Contrast-enhanced abdominal CT, axial slice 19 of 51 (counted from the lowest slice); tube voltage 120 kVp, convolution kernel B31f; slices 5.00 mm thick, 0.865 mm per pixel.
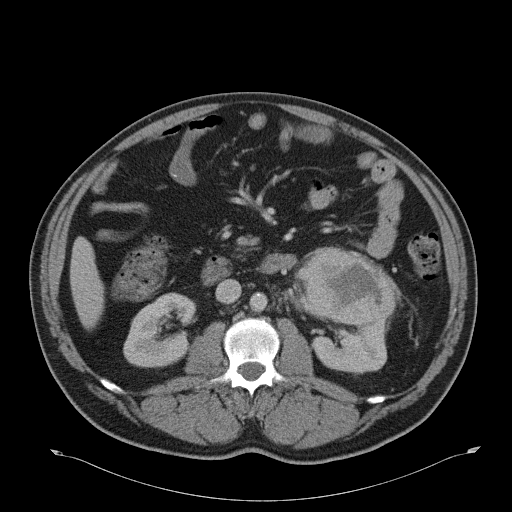
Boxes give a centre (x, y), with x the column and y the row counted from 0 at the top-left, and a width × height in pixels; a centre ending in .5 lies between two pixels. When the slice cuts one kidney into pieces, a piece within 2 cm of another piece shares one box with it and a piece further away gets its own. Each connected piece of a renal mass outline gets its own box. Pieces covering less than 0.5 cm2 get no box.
Boxed on this slice (two kidney boxes and one renal mass box), listed by box centre from the image's left to its right: (1) Box centre (159, 329.5), 73 × 76 pixels: right kidney (outlined area 3,868 px, about 29.0 cm2). (2) Box centre (347, 286), 99 × 77 pixels: left renal mass (outlined area 5,562 px, about 41.6 cm2). (3) Left kidney in a box with centre (349.5, 345.5), 76 × 54 pixels (outlined area 3,050 px, about 22.8 cm2).